Axial slice 214 of 538 of a contrast-enhanced abdominal CT in the arterial phase (slice 1 is the lowest), 120 kVp, kernel B30f; 1.00 mm slice thickness and 0.811 mm pixels.
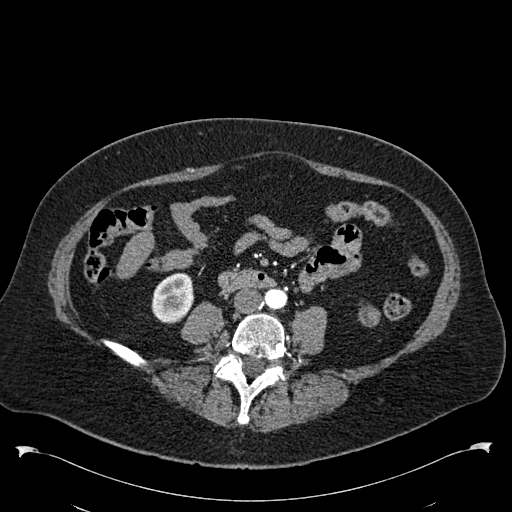
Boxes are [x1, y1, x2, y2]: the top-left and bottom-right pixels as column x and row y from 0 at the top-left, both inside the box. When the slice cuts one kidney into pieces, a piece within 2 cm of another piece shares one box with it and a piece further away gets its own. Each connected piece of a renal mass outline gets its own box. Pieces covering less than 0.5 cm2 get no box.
Two boxes on this slice (one kidney box and one renal mass box), listed by box centre from the image's left to its right. (1) Right kidney, box [151, 272, 194, 323] (outlined area 1,713 px, about 11.3 cm2). (2) Left renal mass at [358, 305, 380, 327] (outlined area 380 px, about 2.5 cm2); here it is more than 1 cm from any kidney outline, though on another slice the same outlined renal mass lies within 1 cm of the kidney.